Arterial-phase contrast-enhanced abdominal CT, axial slice 385 of 634 (counted from the lowest slice); tube voltage 120 kVp, convolution kernel B20f; slices 1.00 mm thick, 0.838 mm per pixel.
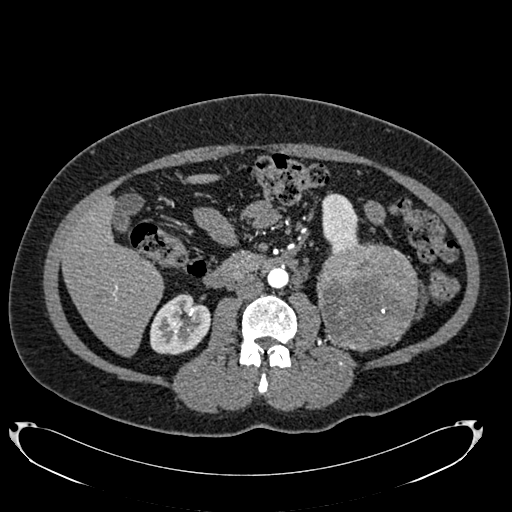
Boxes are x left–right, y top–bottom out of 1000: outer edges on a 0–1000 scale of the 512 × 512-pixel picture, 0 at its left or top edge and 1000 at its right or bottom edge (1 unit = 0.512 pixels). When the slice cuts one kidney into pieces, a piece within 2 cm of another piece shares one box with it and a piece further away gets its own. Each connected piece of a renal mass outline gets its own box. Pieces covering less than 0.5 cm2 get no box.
Three boxes on this slice (two kidney boxes and one renal mass box), listed by box centre from the image's left to its right. (1) Box x 293–412, y 574–693 out of 1000: right kidney (outlined area 2,795 px, about 19.6 cm2). (2) Left kidney, box x 627–703, y 375–494 out of 1000 (outlined area 1,680 px, about 11.8 cm2). (3) Left renal mass, box x 617–816, y 473–689 out of 1000 (outlined area 9,031 px, about 63.4 cm2).